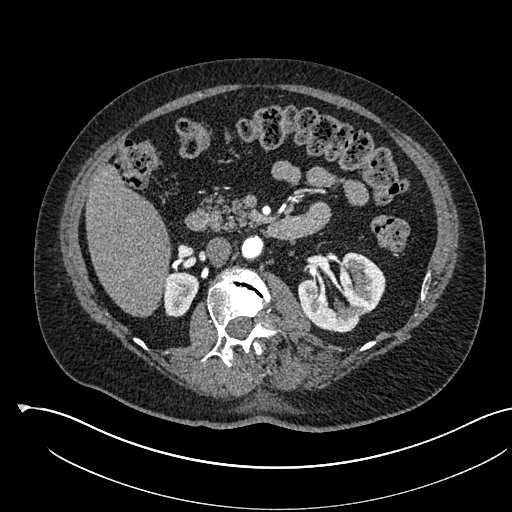
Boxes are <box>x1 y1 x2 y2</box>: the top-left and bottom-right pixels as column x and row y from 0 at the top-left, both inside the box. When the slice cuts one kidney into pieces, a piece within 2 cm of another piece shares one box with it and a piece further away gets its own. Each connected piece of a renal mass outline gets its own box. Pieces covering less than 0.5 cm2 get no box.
Arterial-phase contrast-enhanced abdominal CT, axial slice 327 of 541 (counted from the lowest slice); 1.00 mm thick, 0.834 mm per pixel. Boxed on this slice (two kidney boxes), listed by box centre from the image's left to its right: (1) Right kidney: <box>164 272 199 317</box> (outlined area 1,276 px, about 8.9 cm2). (2) At <box>298 252 385 332</box>: left kidney (outlined area 4,643 px, about 32.3 cm2). No renal mass is outlined on this slice.
Scan settings: 120 kVp, I30f reconstruction kernel.